Abdominal CT with intravenous contrast, axial plane, 120 kVp, kernel FC18. Slice 76/103 from the bottom of the scan; thickness 3.00 mm; pixel size 0.714 mm.
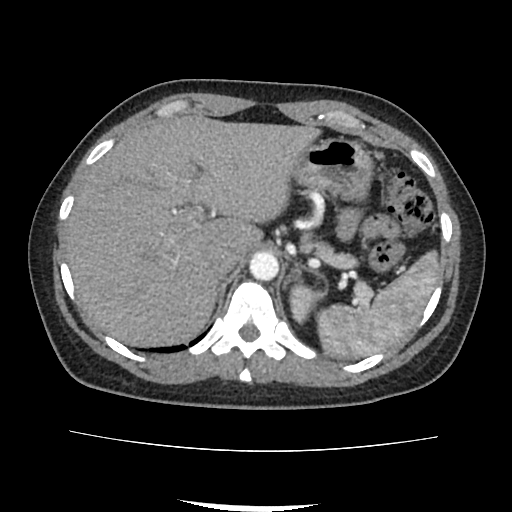
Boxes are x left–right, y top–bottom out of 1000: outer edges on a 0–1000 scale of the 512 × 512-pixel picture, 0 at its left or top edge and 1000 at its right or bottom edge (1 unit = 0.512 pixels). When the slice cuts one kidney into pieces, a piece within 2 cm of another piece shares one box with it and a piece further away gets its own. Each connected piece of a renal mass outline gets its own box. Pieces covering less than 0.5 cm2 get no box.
Box x 563–621, y 549–635 out of 1000: left kidney (outlined area 922 px, about 4.7 cm2). No renal mass is outlined on this slice.